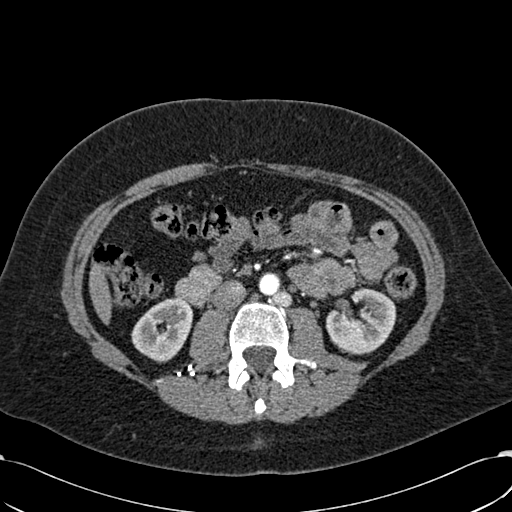
Abdominal CT with intravenous contrast, arterial phase, axial plane, 120 kVp, kernel B30f. Slice 306/532 from the bottom of the scan; thickness 1.00 mm; pixel size 0.713 mm.
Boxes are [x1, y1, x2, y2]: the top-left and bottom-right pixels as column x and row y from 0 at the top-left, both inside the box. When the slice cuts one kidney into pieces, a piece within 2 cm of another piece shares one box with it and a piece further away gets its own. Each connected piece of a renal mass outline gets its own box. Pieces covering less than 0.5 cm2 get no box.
Two kidney boxes on this slice; by box centre, from the image's left to its right: (1) Right kidney, box [131, 297, 193, 362] (outlined area 2,846 px, about 14.5 cm2). (2) Left kidney, box [326, 288, 396, 354] (outlined area 3,392 px, about 17.2 cm2). No renal mass outline on this slice.